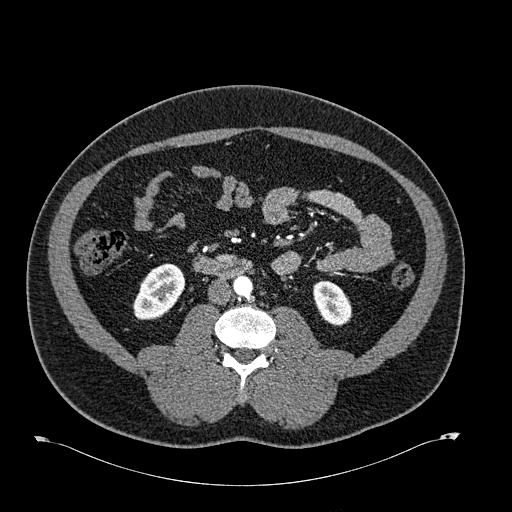
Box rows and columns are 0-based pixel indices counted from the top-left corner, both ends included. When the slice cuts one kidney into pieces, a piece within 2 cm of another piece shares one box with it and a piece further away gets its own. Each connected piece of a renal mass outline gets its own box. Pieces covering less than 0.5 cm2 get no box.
Arterial-phase contrast-enhanced abdominal CT, axial slice 287 of 723 (counted from the lowest slice); 1.00 mm thick, 0.895 mm per pixel. Two kidney boxes on this slice; by box centre, from the image's left to its right: (1) Right kidney, box rows 263–319, columns 132–185 (outlined area 2,091 px, about 16.7 cm2). (2) Left kidney at rows 280–326, columns 313–352 (outlined area 1,323 px, about 10.6 cm2). This slice carries no renal mass outline.
Acquired at 120 kVp and reconstructed with the B30f kernel.